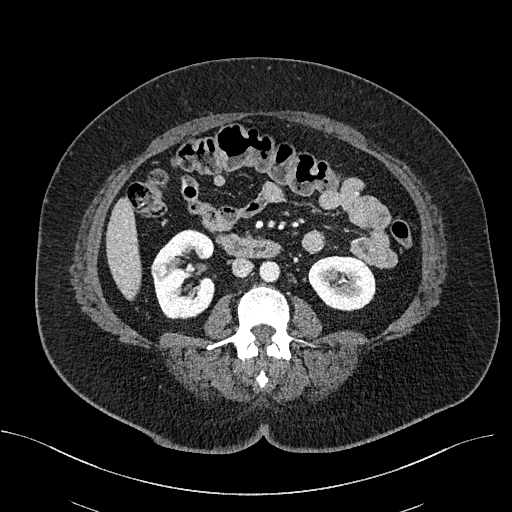
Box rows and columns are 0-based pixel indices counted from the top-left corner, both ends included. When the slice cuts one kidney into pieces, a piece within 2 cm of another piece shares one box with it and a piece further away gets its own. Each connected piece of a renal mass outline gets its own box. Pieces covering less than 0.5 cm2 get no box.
Contrast-enhanced abdominal CT, axial slice 275 of 470 (counted from the lowest slice); 2.00 mm thick, 0.824 mm per pixel. Three boxes on this slice (two kidney boxes and one renal mass box), listed by box centre from the image's left to its right. (1) Box rows 260–280, columns 150–172: right renal mass (outlined area 371 px, about 2.5 cm2). (2) Box rows 229–319, columns 153–215: right kidney (outlined area 3,921 px, about 26.6 cm2). (3) Box rows 255–311, columns 308–375: left kidney (outlined area 2,983 px, about 20.3 cm2).
Acquired at 100 kVp and reconstructed with the I40f kernel.